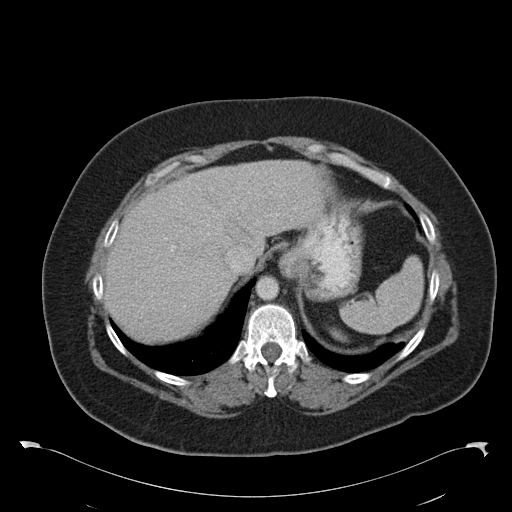
Arterial-phase contrast-enhanced abdominal CT, axial slice 78 of 97 (counted from the lowest slice); tube voltage 120 kVp, convolution kernel B30f; slices 5.00 mm thick, 0.824 mm per pixel.
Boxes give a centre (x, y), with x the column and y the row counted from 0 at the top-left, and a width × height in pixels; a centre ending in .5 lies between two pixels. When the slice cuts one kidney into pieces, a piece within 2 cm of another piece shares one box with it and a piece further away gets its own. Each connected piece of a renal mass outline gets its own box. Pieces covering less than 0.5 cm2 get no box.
Left kidney, box centre (338.5, 334.5), 20 × 16 pixels (outlined area 174 px, about 1.2 cm2). No renal mass outline on this slice.